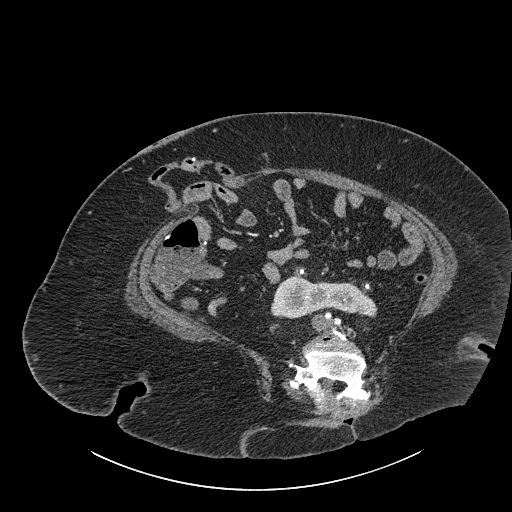
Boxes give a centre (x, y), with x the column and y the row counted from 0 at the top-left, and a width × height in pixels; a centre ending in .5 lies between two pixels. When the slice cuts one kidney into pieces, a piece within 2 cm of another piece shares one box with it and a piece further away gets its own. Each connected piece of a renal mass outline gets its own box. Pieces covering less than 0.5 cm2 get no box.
Slice 421/834 of a contrast-enhanced abdominal CT, counting up from the lowest; pixel size 0.977 mm, slice thickness 1.00 mm. Box centre (323, 297), 107 × 43 pixels: kidney crossing the body midline (outlined area 3,209 px, about 30.6 cm2). No renal mass is outlined on this slice.
Scan settings: 140 kVp, I30f reconstruction kernel.